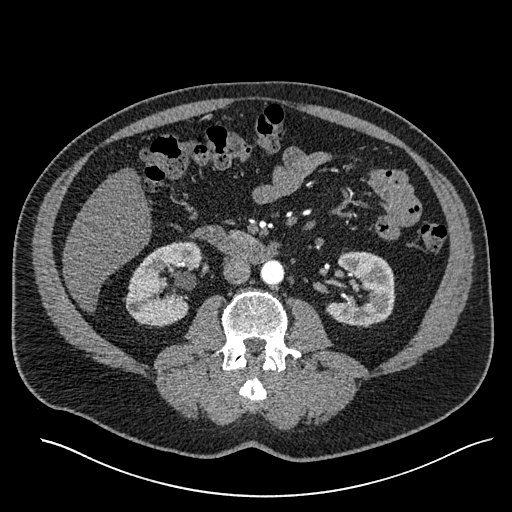
Abdominal CT with intravenous contrast, arterial phase, axial plane, 120 kVp, kernel I30f. Slice 285/527 from the bottom of the scan; thickness 1.00 mm; pixel size 0.859 mm.
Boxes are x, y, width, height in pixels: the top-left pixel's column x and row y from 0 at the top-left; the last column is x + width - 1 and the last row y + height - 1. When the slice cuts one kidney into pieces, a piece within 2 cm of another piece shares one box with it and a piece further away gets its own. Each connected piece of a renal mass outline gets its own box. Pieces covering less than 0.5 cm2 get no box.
Two boxes on this slice (two kidney boxes), listed by box centre from the image's left to its right. (1) Right kidney, box x 126, y 241, width 77, height 86 (outlined area 4,464 px, about 33.0 cm2). (2) Left kidney, box x 327, y 251, width 69, height 77 (outlined area 3,785 px, about 28.0 cm2). This slice carries no renal mass outline.